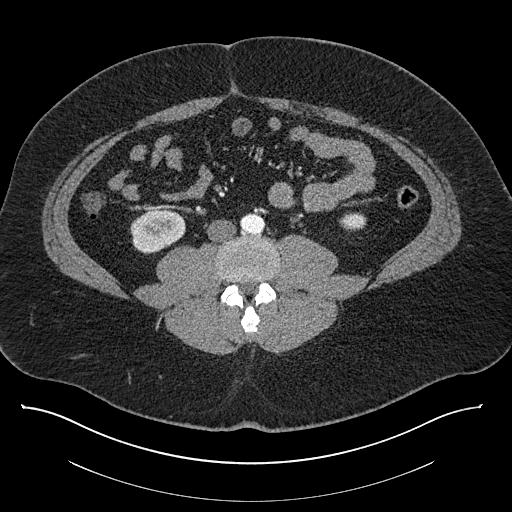
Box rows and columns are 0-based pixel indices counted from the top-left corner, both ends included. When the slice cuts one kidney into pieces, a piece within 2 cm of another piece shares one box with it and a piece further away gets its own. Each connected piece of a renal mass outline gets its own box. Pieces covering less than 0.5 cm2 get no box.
Contrast-enhanced abdominal CT, axial slice 347 of 787 (counted from the lowest slice); 1.00 mm thick, 0.910 mm per pixel. Boxed on this slice (two kidney boxes), listed by box centre from the image's left to its right: (1) Right kidney, box rows 209–253, columns 130–185 (outlined area 1,910 px, about 15.8 cm2). (2) Left kidney at rows 212–230, columns 338–366 (outlined area 415 px, about 3.4 cm2). No renal mass is outlined on this slice.
Acquired at 140 kVp and reconstructed with the I30f kernel.